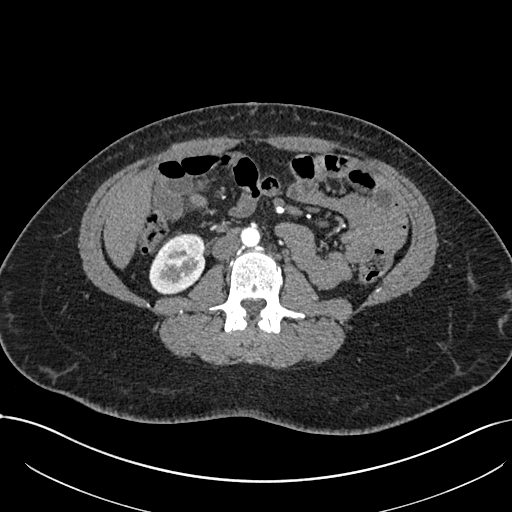
Abdominal CT with intravenous contrast, arterial phase, axial plane, 120 kVp, kernel I30f. Slice 347/738 from the bottom of the scan; thickness 1.00 mm; pixel size 0.789 mm.
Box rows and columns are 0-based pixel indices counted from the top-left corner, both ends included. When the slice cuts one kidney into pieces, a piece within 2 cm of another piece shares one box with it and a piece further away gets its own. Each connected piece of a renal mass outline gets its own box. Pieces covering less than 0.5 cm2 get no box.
Box rows 233–293, columns 149–205: right kidney (outlined area 2,626 px, about 16.3 cm2). No renal mass outline on this slice.